Arterial-phase contrast-enhanced abdominal CT, axial slice 96 of 285 (counted from the lowest slice); tube voltage 120 kVp, convolution kernel B31f; slices 2.00 mm thick, 0.762 mm per pixel.
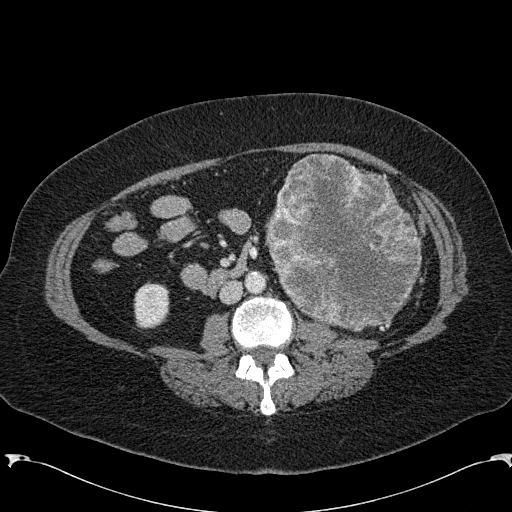
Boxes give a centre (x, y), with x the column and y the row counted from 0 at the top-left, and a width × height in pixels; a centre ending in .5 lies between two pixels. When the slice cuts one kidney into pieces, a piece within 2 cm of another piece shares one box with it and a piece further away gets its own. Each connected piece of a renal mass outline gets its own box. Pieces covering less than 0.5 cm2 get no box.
Boxed on this slice (one kidney box and one renal mass box), listed by box centre from the image's left to its right: (1) Right kidney in a box with centre (151, 305), 37 × 47 pixels (outlined area 1,400 px, about 8.1 cm2). (2) Box centre (343, 242), 157 × 179 pixels: left renal mass (outlined area 20,651 px, about 119.8 cm2); it sits over 1 cm from every kidney outline on this slice, but the same outlined renal mass comes within 1 cm of the kidney on another slice.